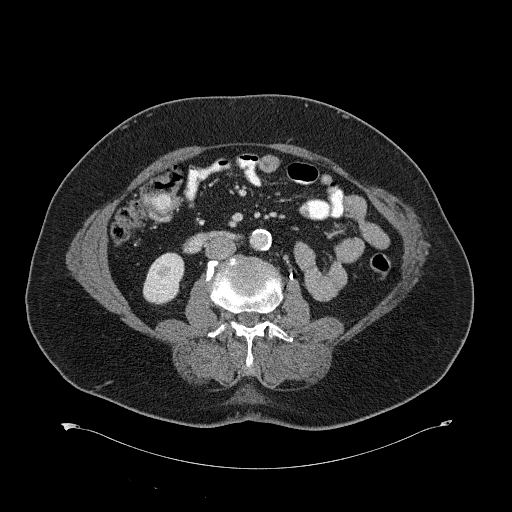
Contrast-enhanced abdominal CT, axial slice 316 of 734 (counted from the lowest slice); tube voltage 120 kVp, convolution kernel B31f; slices 2.00 mm thick, 0.971 mm per pixel.
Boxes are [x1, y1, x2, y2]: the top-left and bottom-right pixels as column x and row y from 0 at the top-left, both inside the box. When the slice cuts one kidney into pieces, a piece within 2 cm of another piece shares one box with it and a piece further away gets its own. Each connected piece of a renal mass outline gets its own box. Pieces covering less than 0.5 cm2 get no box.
Right kidney at [142, 252, 184, 304] (outlined area 1,642 px, about 15.5 cm2). No renal mass is outlined on this slice.